Arterial-phase contrast-enhanced abdominal CT, axial slice 128 of 316 (counted from the lowest slice); tube voltage 100 kVp, convolution kernel I40f; slices 2.00 mm thick, 0.840 mm per pixel.
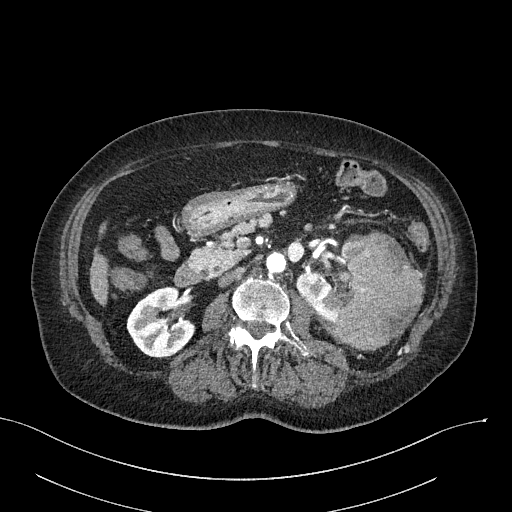
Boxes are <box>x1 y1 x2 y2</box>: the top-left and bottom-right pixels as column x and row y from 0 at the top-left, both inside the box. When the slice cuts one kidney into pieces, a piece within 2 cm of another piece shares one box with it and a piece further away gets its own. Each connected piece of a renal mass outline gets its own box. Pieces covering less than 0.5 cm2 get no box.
Boxed on this slice (two kidney boxes and one renal mass box), listed by box centre from the image's left to its right: (1) Right kidney at <box>126 286 195 357</box> (outlined area 3,503 px, about 24.7 cm2). (2) At <box>295 242 350 322</box>: left kidney (outlined area 2,606 px, about 18.4 cm2). (3) Left renal mass: <box>333 230 424 349</box> (outlined area 7,659 px, about 54.0 cm2).